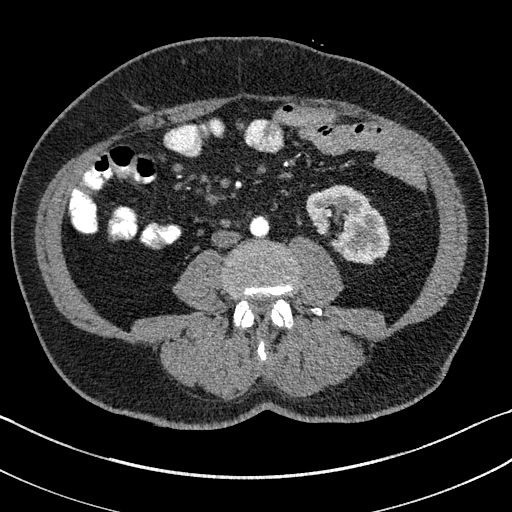
Abdominal CT with intravenous contrast, arterial phase, axial plane, 100 kVp, kernel I31f. Slice 50/195 from the bottom of the scan; thickness 1.50 mm; pixel size 0.707 mm.
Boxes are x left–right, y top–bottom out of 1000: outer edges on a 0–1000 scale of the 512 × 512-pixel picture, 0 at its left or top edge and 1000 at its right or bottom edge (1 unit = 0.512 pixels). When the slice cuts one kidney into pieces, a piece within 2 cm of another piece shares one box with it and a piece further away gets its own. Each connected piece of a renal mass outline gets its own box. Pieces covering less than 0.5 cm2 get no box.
Box x 598–762, y 361–518 out of 1000: left kidney (outlined area 4,234 px, about 21.2 cm2). No renal mass outline on this slice.